Abdominal CT with intravenous contrast, axial plane, 100 kVp, kernel I30f. Slice 70/142 from the bottom of the scan; thickness 5.00 mm; pixel size 0.855 mm.
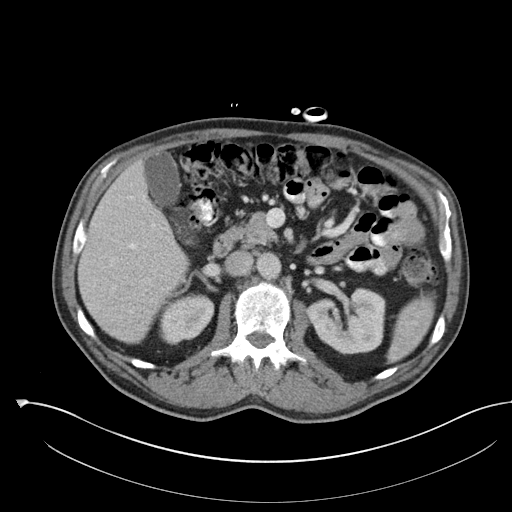
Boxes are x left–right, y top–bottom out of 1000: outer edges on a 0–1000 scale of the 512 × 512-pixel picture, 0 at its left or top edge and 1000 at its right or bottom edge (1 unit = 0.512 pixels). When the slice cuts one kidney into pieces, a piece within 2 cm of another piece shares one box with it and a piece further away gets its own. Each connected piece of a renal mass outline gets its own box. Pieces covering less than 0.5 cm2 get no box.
Boxed on this slice (two kidney boxes), listed by box centre from the image's left to its right: (1) Right kidney, box x 311–420, y 572–674 out of 1000 (outlined area 2,111 px, about 15.4 cm2). (2) Left kidney, box x 594–754, y 561–693 out of 1000 (outlined area 3,994 px, about 29.2 cm2). No renal mass is outlined on this slice.